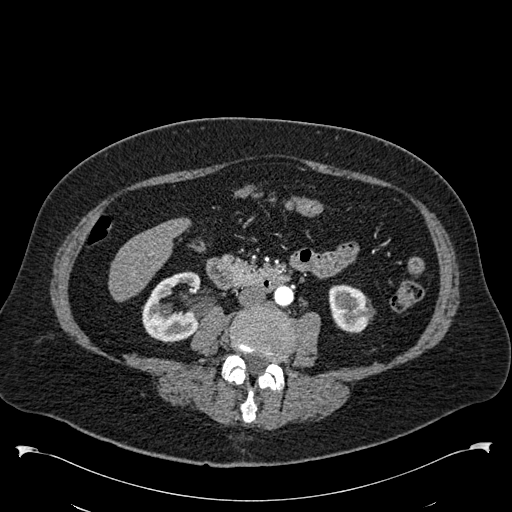
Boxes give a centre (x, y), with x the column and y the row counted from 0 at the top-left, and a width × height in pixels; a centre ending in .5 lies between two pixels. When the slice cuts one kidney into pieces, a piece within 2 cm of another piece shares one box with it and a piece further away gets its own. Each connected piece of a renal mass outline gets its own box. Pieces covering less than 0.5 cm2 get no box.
Arterial-phase contrast-enhanced abdominal CT, axial slice 253 of 538 (counted from the lowest slice); 1.00 mm thick, 0.811 mm per pixel. Two boxes on this slice (two kidney boxes), listed by box centre from the image's left to its right. (1) Right kidney, box centre (171.5, 306.5), 60 × 72 pixels (outlined area 2,961 px, about 19.5 cm2). (2) Left kidney in a box with centre (351.5, 308.5), 48 × 50 pixels (outlined area 1,704 px, about 11.2 cm2). This slice carries no renal mass outline.
Scan settings: 120 kVp, B30f reconstruction kernel.